Abdominal CT with intravenous contrast, axial plane, 120 kVp, kernel STANDARD. Slice 126/186 from the bottom of the scan; thickness 2.50 mm; pixel size 0.850 mm.
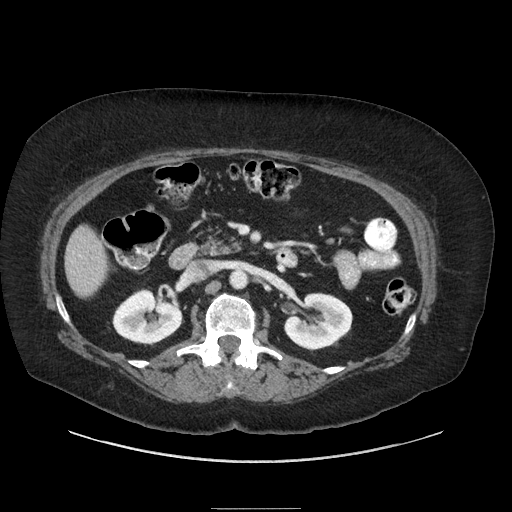
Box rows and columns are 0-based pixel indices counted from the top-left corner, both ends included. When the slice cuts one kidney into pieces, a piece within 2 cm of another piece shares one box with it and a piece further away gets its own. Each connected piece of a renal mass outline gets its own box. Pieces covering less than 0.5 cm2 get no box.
Boxed on this slice (two kidney boxes), listed by box centre from the image's left to its right: (1) Right kidney, box rows 288–345, columns 112–183 (outlined area 2,902 px, about 20.9 cm2). (2) Left kidney, box rows 292–351, columns 284–352 (outlined area 2,950 px, about 21.3 cm2). This slice carries no renal mass outline.